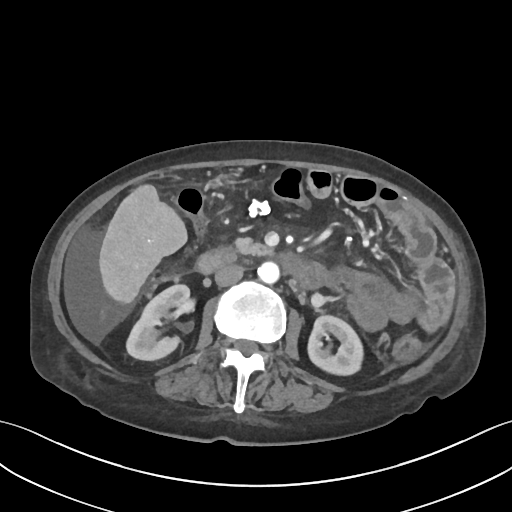
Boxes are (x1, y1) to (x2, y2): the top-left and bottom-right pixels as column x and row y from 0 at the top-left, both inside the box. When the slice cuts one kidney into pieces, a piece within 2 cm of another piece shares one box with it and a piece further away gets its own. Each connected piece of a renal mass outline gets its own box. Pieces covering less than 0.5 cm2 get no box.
Slice 34/109 of a contrast-enhanced abdominal CT, counting up from the lowest; pixel size 0.742 mm, slice thickness 3.00 mm. Two boxes on this slice (two kidney boxes), listed by box centre from the image's left to its right. (1) Right kidney from (125, 283) to (191, 361) (outlined area 3,307 px, about 18.2 cm2). (2) Box (307, 314) to (363, 376): left kidney (outlined area 2,697 px, about 14.9 cm2). No renal mass is outlined on this slice.
Tube voltage 120 kVp; convolution kernel I30f.